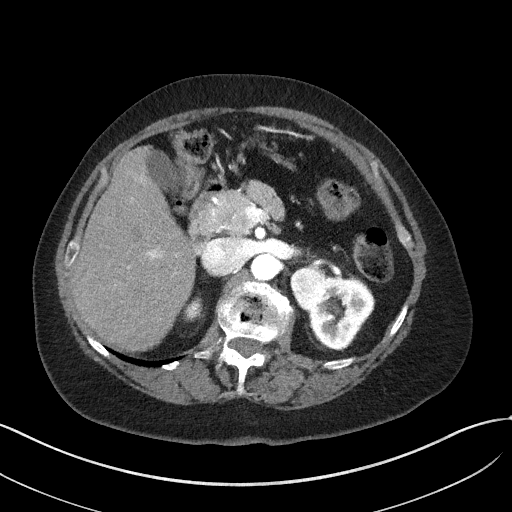
Arterial-phase contrast-enhanced abdominal CT, axial slice 35 of 50 (counted from the lowest slice); tube voltage 100 kVp, convolution kernel I41f; slices 3.00 mm thick, 0.758 mm per pixel.
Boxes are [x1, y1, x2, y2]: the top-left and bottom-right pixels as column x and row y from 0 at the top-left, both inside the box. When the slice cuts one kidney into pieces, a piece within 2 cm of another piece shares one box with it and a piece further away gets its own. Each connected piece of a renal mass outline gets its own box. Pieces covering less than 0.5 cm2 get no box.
Three boxes on this slice (two kidney boxes and one renal mass box), listed by box centre from the image's left to its right. (1) Box [184, 297, 202, 321]: right kidney (outlined area 356 px, about 2.0 cm2). (2) Left renal mass at [290, 266, 326, 310] (outlined area 1,265 px, about 7.3 cm2). (3) Left kidney, box [307, 276, 375, 351] (outlined area 3,428 px, about 19.7 cm2).